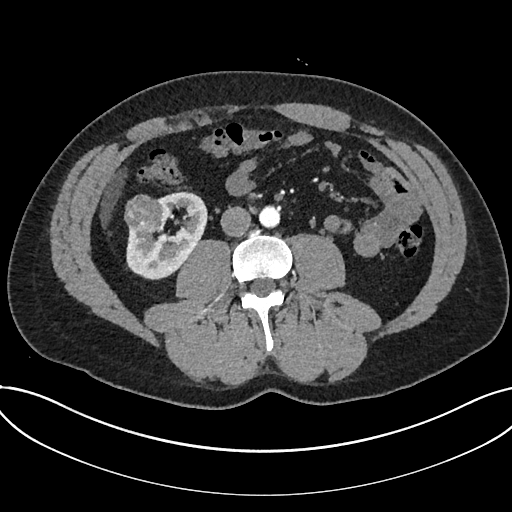
One axial slice (334 of 735, counting up from the lowest) of an arterial-phase abdominal CT acquired with 120 kVp, kernel I30f; each pixel is 0.789 mm and the slice is 1.00 mm thick.
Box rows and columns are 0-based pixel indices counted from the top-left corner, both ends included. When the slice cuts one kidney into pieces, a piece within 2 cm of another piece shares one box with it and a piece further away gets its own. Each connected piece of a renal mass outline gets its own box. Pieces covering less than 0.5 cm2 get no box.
One kidney box and one renal mass box on this slice; by box centre, from the image's left to its right: (1) Renal mass, box rows 194–233, columns 124–164 (outlined area 1,292 px, about 8.0 cm2). (2) Kidney at rows 191–279, columns 126–207 (outlined area 4,221 px, about 26.3 cm2).